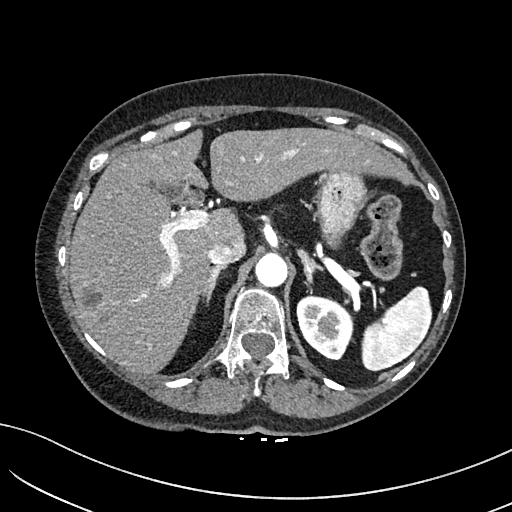
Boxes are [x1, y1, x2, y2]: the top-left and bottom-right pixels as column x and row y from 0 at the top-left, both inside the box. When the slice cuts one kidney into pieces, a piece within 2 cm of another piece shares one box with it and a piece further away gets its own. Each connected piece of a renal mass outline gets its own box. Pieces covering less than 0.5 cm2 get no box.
Arterial-phase contrast-enhanced abdominal CT, axial slice 119 of 234 (counted from the lowest slice); 2.00 mm thick, 0.699 mm per pixel. Left kidney at [296, 295, 352, 360] (outlined area 2,753 px, about 13.5 cm2). No renal mass outline on this slice.
Tube voltage 100 kVp; convolution kernel I40f.